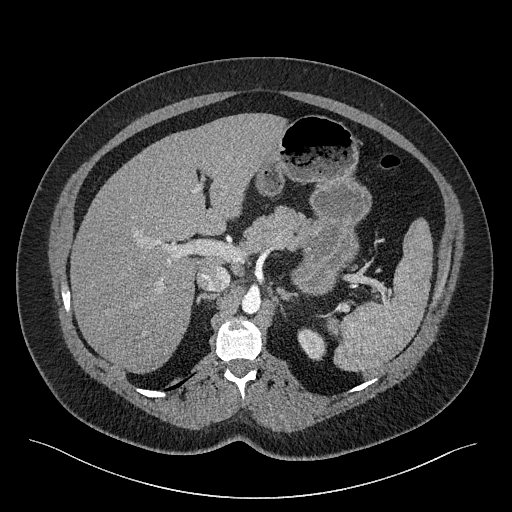
Abdominal CT with intravenous contrast, axial plane, 120 kVp, kernel I40f. Slice 178/301 from the bottom of the scan; thickness 2.00 mm; pixel size 0.859 mm.
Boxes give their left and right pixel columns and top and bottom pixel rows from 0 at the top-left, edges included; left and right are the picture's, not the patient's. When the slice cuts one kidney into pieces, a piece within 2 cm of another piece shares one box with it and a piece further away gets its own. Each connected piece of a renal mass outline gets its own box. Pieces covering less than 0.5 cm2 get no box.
Left kidney, the box with left 297, top 327, right 326, bottom 360 (outlined area 685 px, about 5.1 cm2). No renal mass outline on this slice.